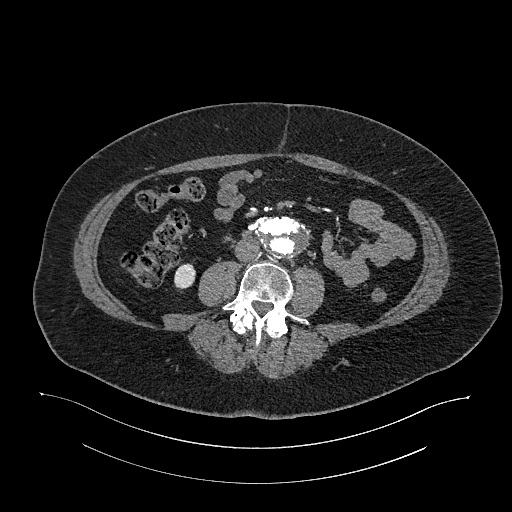
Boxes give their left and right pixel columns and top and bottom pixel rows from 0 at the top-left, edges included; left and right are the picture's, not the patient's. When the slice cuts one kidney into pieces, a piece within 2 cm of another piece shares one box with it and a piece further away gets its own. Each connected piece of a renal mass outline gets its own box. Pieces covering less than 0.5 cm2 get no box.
Slice 531/987 of a contrast-enhanced abdominal CT in the arterial phase, counting up from the lowest; pixel size 0.977 mm, slice thickness 1.00 mm. Box with left 174, top 263, right 195, bottom 289: right kidney (outlined area 461 px, about 4.4 cm2). This slice carries no renal mass outline.
Scan settings: 120 kVp, I26f reconstruction kernel.